Arterial-phase contrast-enhanced abdominal CT, axial slice 370 of 683 (counted from the lowest slice); tube voltage 120 kVp, convolution kernel I30f; slices 1.00 mm thick, 0.738 mm per pixel.
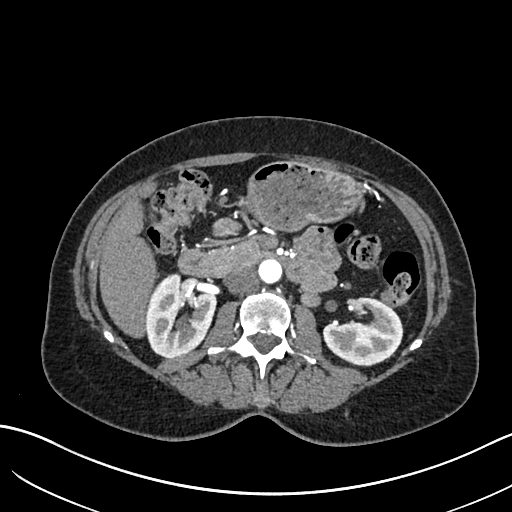
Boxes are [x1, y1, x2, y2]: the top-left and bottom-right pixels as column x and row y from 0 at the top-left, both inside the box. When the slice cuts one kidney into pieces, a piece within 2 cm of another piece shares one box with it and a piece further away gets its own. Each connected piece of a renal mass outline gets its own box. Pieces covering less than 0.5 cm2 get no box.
Two kidney boxes on this slice; by box centre, from the image's left to its right: (1) Right kidney at [145, 273, 216, 358] (outlined area 4,456 px, about 24.3 cm2). (2) Left kidney at [323, 296, 403, 366] (outlined area 3,736 px, about 20.4 cm2). This slice carries no renal mass outline.